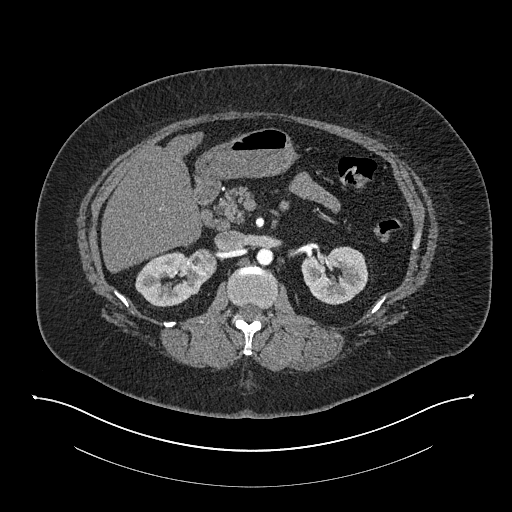
One axial slice (499 of 673, counting up from the lowest) of an arterial-phase abdominal CT acquired with 140 kVp, kernel I30f; each pixel is 0.957 mm and the slice is 1.00 mm thick.
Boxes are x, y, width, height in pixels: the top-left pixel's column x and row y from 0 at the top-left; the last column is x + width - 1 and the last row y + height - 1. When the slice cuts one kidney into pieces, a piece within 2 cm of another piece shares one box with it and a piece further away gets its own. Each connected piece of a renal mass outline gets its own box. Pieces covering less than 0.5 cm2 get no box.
Boxed on this slice (two kidney boxes and one renal mass box), listed by box centre from the image's left to its right: (1) Right kidney at x 135, y 251, width 77, height 56 (outlined area 2,730 px, about 25.0 cm2). (2) Box x 188, y 248, width 29, height 27: right renal mass (outlined area 571 px, about 5.2 cm2). (3) Left kidney, box x 301, y 246, width 68, height 59 (outlined area 2,954 px, about 27.1 cm2).